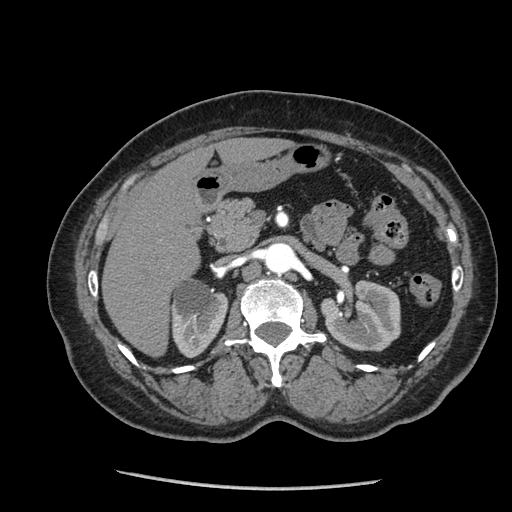
Abdominal CT with intravenous contrast, arterial phase, axial plane, 120 kVp, kernel STANDARD. Slice 137/233 from the bottom of the scan; thickness 1.25 mm; pixel size 0.703 mm.
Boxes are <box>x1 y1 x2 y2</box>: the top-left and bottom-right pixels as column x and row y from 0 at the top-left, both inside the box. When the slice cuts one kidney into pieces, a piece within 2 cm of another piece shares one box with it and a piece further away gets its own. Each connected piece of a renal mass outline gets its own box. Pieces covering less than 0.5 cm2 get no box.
Two kidney boxes on this slice; by box centre, from the image's left to its right: (1) Right kidney: <box>171 278 228 358</box> (outlined area 3,395 px, about 16.8 cm2). (2) At <box>320 279 400 351</box>: left kidney (outlined area 4,434 px, about 21.9 cm2). No renal mass is outlined on this slice.